Axial slice 117 of 325 of a contrast-enhanced abdominal CT in the arterial phase (slice 1 is the lowest), 100 kVp, kernel I30f; 1.00 mm slice thickness and 0.703 mm pixels.
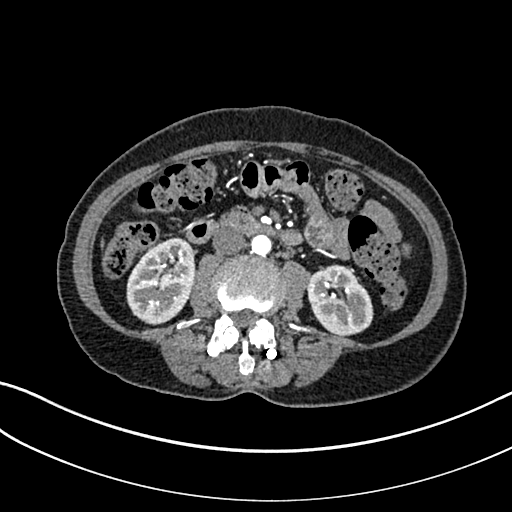
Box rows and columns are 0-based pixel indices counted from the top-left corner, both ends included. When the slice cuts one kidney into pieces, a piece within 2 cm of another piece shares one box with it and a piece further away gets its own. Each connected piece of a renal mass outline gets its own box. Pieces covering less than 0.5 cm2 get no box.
Two kidney boxes on this slice; by box centre, from the image's left to its right: (1) Right kidney at rows 237–325, columns 126–195 (outlined area 4,555 px, about 22.5 cm2). (2) Box rows 264–335, columns 306–373: left kidney (outlined area 3,545 px, about 17.5 cm2). This slice carries no renal mass outline.